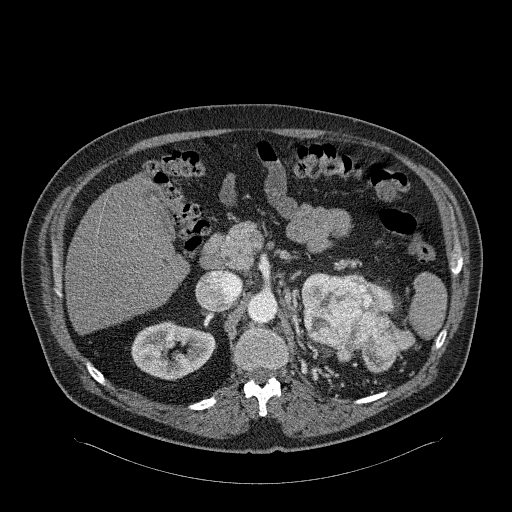
Arterial-phase contrast-enhanced abdominal CT, axial slice 166 of 326 (counted from the lowest slice); tube voltage 120 kVp, convolution kernel B31f; slices 2.00 mm thick, 0.963 mm per pixel.
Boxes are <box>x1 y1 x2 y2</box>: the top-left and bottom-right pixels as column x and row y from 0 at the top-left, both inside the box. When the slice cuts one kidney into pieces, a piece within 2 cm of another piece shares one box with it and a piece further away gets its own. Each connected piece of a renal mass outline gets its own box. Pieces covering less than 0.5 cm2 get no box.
Boxed on this slice (two kidney boxes and one renal mass box), listed by box centre from the image's left to its right: (1) Right kidney: <box>131 321 216 380</box> (outlined area 3,581 px, about 33.2 cm2). (2) At <box>301 272 395 313</box>: left kidney (outlined area 1,055 px, about 9.8 cm2). (3) Left renal mass: <box>303 275 415 373</box> (outlined area 6,449 px, about 59.8 cm2).